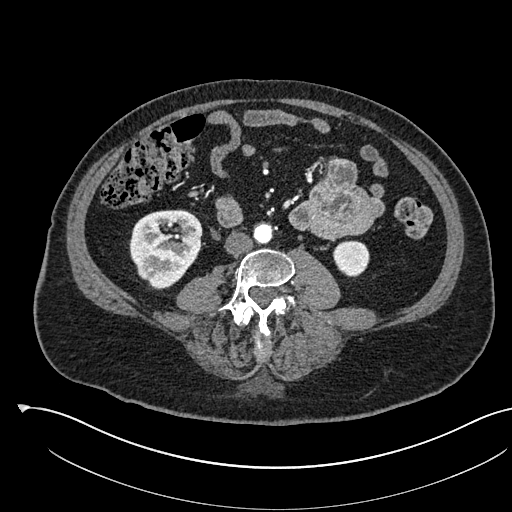
One axial slice (228 of 541, counting up from the lowest) of an arterial-phase abdominal CT acquired with 120 kVp, kernel I30f; each pixel is 0.834 mm and the slice is 1.00 mm thick.
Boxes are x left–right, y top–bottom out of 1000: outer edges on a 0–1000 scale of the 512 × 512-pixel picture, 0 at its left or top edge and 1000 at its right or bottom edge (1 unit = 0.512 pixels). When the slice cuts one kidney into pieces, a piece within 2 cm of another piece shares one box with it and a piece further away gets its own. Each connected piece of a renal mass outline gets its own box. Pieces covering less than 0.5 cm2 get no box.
Two boxes on this slice (two kidney boxes), listed by box centre from the image's left to its right. (1) Right kidney at x 252–396, y 408–566 out of 1000 (outlined area 4,403 px, about 30.6 cm2). (2) Left kidney at x 650–723, y 469–539 out of 1000 (outlined area 1,063 px, about 7.4 cm2).